One axial slice (340 of 683, counting up from the lowest) of an arterial-phase abdominal CT acquired with 120 kVp, kernel I30f; each pixel is 0.738 mm and the slice is 1.00 mm thick.
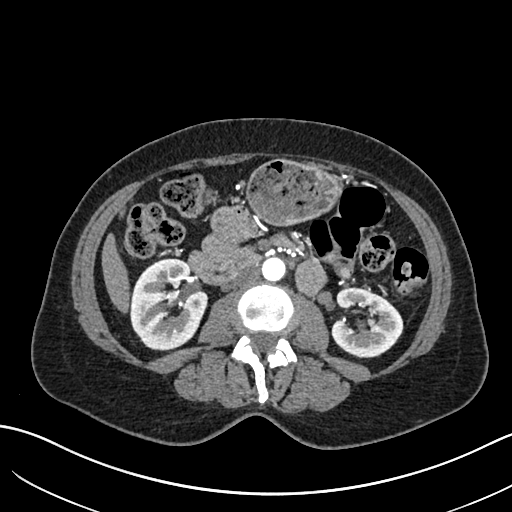
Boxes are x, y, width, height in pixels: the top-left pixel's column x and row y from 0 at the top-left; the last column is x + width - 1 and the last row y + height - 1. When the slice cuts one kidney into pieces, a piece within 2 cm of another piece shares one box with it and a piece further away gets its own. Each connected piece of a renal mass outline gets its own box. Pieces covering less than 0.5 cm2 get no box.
Boxed on this slice (two kidney boxes), listed by box centre from the image's left to its right: (1) Right kidney at x 130, y 258, width 79, height 93 (outlined area 5,469 px, about 29.8 cm2). (2) Left kidney at x 331, y 288, width 73, height 70 (outlined area 3,656 px, about 19.9 cm2). This slice carries no renal mass outline.